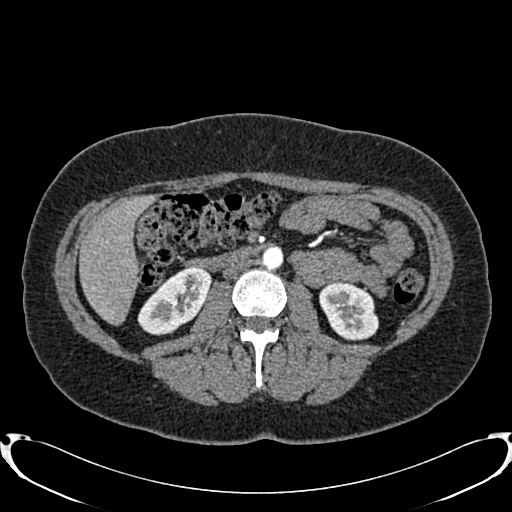
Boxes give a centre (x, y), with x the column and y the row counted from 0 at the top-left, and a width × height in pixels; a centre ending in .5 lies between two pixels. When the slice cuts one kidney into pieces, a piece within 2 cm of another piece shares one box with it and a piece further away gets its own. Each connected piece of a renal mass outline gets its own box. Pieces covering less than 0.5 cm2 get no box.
Arterial-phase contrast-enhanced abdominal CT, axial slice 416 of 719 (counted from the lowest slice); 1.00 mm thick, 0.766 mm per pixel. Two kidney boxes on this slice; by box centre, from the image's left to its right: (1) Box centre (174, 300.5), 75 × 70 pixels: right kidney (outlined area 3,240 px, about 19.0 cm2). (2) Left kidney in a box with centre (348.5, 311), 60 × 59 pixels (outlined area 2,646 px, about 15.5 cm2). No renal mass outline on this slice.
Acquired at 120 kVp and reconstructed with the B20f kernel.